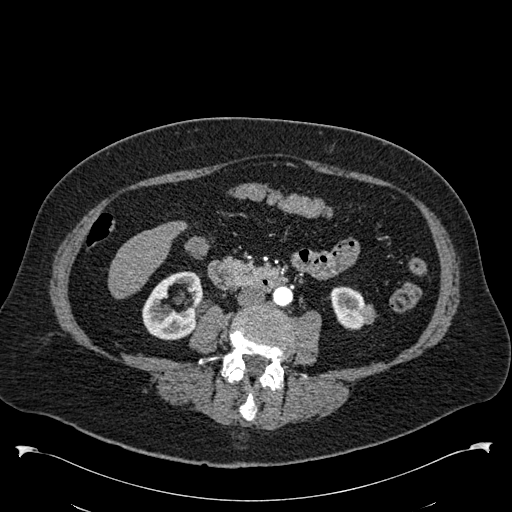
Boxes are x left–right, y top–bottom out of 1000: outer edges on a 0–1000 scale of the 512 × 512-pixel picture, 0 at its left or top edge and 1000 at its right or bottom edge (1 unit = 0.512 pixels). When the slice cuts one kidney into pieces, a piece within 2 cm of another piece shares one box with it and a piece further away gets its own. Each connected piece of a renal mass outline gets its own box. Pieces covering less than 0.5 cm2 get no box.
This is axial slice 247 of 538 (slice 1 is the lowest) of an arterial-phase abdominal CT with contrast; each pixel is 0.811 mm and the slice is 1.00 mm thick. Three boxes on this slice (two kidney boxes and one renal mass box), listed by box centre from the image's left to its right. (1) Right kidney, box x 277–396, y 529–666 out of 1000 (outlined area 2,883 px, about 18.9 cm2). (2) Box x 643–713, y 559–645 out of 1000: left kidney (outlined area 1,148 px, about 7.5 cm2). (3) Left renal mass at x 701–736, y 590–635 out of 1000 (outlined area 271 px, about 1.8 cm2).
Acquired at 120 kVp and reconstructed with the B30f kernel.